Arterial-phase contrast-enhanced abdominal CT, axial slice 44 of 85 (counted from the lowest slice); tube voltage 100 kVp, convolution kernel I41f; slices 5.00 mm thick, 0.664 mm per pixel.
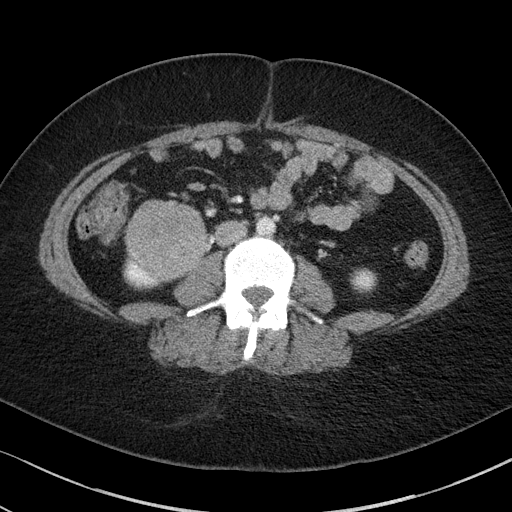
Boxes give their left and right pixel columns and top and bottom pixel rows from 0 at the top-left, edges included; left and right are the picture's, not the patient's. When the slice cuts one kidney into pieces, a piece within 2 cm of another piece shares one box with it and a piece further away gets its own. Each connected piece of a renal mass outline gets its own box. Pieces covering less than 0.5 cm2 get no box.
Three boxes on this slice (two kidney boxes and one renal mass box), listed by box centre from the image's left to its right. (1) Box with left 122, top 256, right 170, bottom 290: right kidney (outlined area 642 px, about 2.8 cm2). (2) Right renal mass in the box with left 123, top 199, right 206, bottom 282 (outlined area 5,392 px, about 23.8 cm2). (3) Left kidney, the box with left 349, top 268, right 377, bottom 293 (outlined area 555 px, about 2.4 cm2).